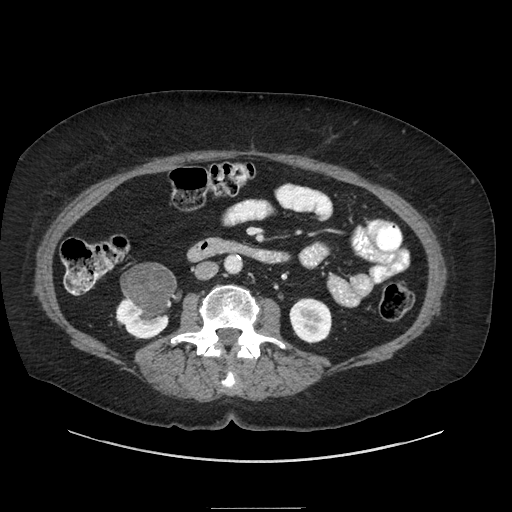
Contrast-enhanced abdominal CT, axial slice 113 of 186 (counted from the lowest slice); tube voltage 120 kVp, convolution kernel STANDARD; slices 2.50 mm thick, 0.850 mm per pixel.
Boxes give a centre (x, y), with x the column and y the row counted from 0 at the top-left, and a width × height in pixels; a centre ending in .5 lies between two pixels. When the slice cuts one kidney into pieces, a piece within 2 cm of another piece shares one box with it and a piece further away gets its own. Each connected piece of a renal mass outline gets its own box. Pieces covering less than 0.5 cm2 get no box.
Two kidney boxes and one renal mass box on this slice; by box centre, from the image's left to its right: (1) Box centre (142, 317), 53 × 43 pixels: right kidney (outlined area 1,199 px, about 8.7 cm2). (2) Right renal mass, box centre (150.5, 290), 62 × 57 pixels (outlined area 2,401 px, about 17.3 cm2). (3) Box centre (310, 320), 43 × 47 pixels: left kidney (outlined area 1,578 px, about 11.4 cm2).